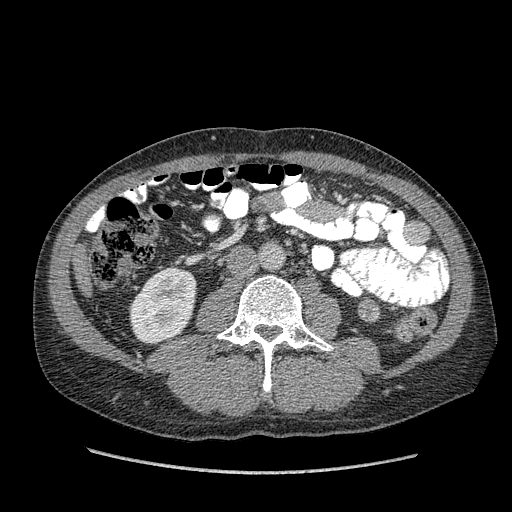
Arterial-phase contrast-enhanced abdominal CT, axial slice 172 of 349 (counted from the lowest slice); tube voltage 120 kVp, convolution kernel STANDARD; slices 1.25 mm thick, 0.742 mm per pixel.
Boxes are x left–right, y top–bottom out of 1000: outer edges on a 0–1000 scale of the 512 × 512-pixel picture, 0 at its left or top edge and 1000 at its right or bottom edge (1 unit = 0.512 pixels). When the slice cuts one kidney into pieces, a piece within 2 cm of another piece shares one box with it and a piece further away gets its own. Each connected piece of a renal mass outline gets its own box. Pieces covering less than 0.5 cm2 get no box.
Boxed on this slice (one kidney box and one renal mass box), listed by box centre from the image's left to its right: (1) Box x 252–385, y 520–672 out of 1000: right kidney (outlined area 3,983 px, about 21.9 cm2). (2) Left renal mass, box x 699–744, y 582–631 out of 1000 (outlined area 468 px, about 2.6 cm2); on this slice it lies more than 1 cm from any kidney outline, but the same outlined renal mass comes within 1 cm of the kidney on another slice.